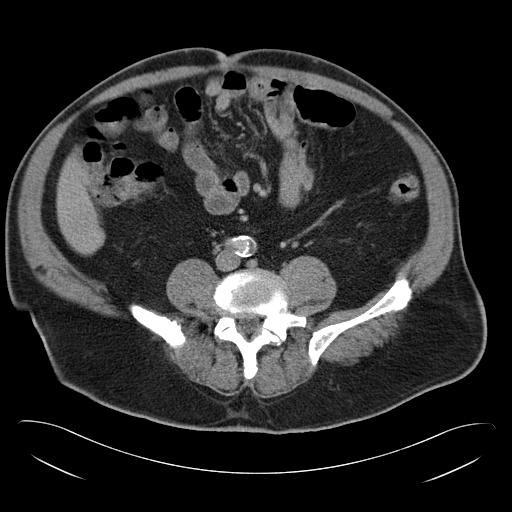
Arterial-phase contrast-enhanced abdominal CT, axial slice 4 of 34 (counted from the lowest slice); tube voltage 120 kVp, convolution kernel B30f; slices 5.00 mm thick, 0.830 mm per pixel.
This slice carries no outline: it lies beyond the outlined kidneys and beyond every outlined renal mass. Other organs are not outlined in this scan.